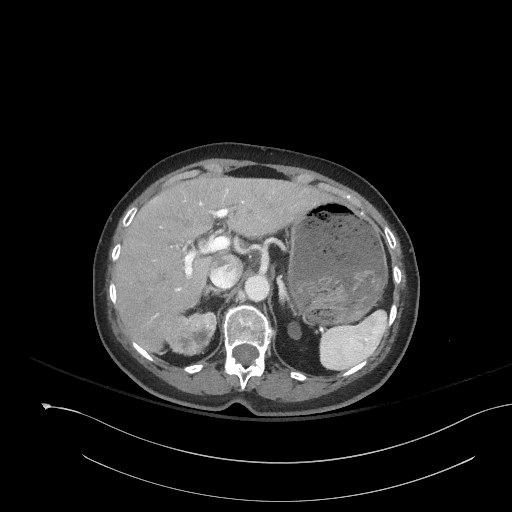
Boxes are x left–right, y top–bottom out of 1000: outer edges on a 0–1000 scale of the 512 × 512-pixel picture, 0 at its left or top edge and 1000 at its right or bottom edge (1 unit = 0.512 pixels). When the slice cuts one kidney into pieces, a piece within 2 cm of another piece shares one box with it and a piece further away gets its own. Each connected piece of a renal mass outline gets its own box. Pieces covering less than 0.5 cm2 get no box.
Contrast-enhanced abdominal CT, axial slice 117 of 153 (counted from the lowest slice); 3.00 mm thick, 0.893 mm per pixel. One kidney box and one renal mass box on this slice; by box centre, from the image's left to its right: (1) Right renal mass at x 326–422, y 611–695 out of 1000 (outlined area 1,603 px, about 12.8 cm2); it sits over 1 cm from every kidney outline on this slice, but the same outlined renal mass comes within 1 cm of the kidney on another slice. (2) Left kidney, box x 563–590, y 627–664 out of 1000 (outlined area 196 px, about 1.6 cm2).
Scan settings: 120 kVp, I41f reconstruction kernel.